Axial slice 280 of 683 of a contrast-enhanced abdominal CT in the arterial phase (slice 1 is the lowest), 120 kVp, kernel I30f; 1.00 mm slice thickness and 0.738 mm pixels.
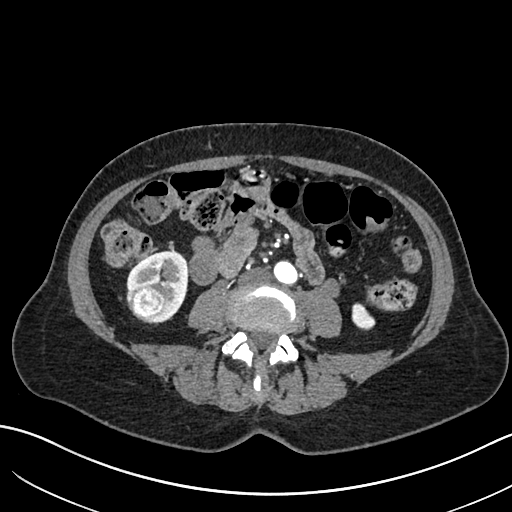
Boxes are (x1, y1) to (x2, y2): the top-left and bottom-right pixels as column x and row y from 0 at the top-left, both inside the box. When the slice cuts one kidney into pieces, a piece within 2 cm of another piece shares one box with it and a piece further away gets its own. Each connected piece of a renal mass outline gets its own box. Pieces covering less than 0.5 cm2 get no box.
Three boxes on this slice (two kidney boxes and one renal mass box), listed by box centre from the image's left to its right. (1) Box (127, 285) to (168, 322): right renal mass (outlined area 1,184 px, about 6.5 cm2). (2) Right kidney from (126, 250) to (188, 322) (outlined area 2,471 px, about 13.5 cm2). (3) Box (351, 302) to (375, 330): left kidney (outlined area 471 px, about 2.6 cm2).